Axial slice 33 of 61 of a contrast-enhanced abdominal CT in the arterial phase (slice 1 is the lowest), 140 kVp, kernel I41f; 3.00 mm slice thickness and 0.947 mm pixels.
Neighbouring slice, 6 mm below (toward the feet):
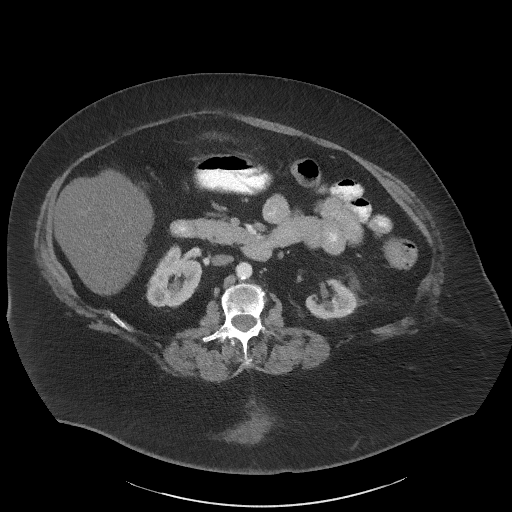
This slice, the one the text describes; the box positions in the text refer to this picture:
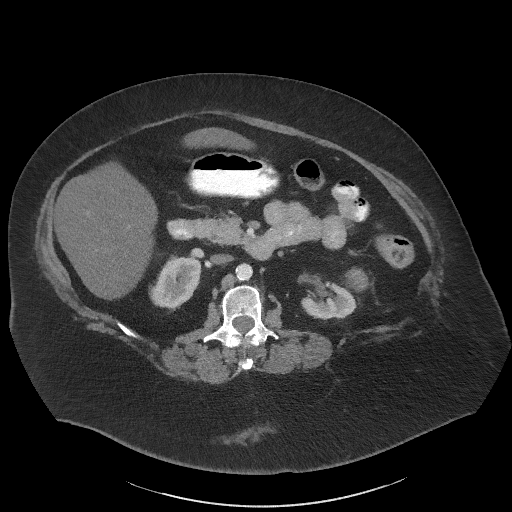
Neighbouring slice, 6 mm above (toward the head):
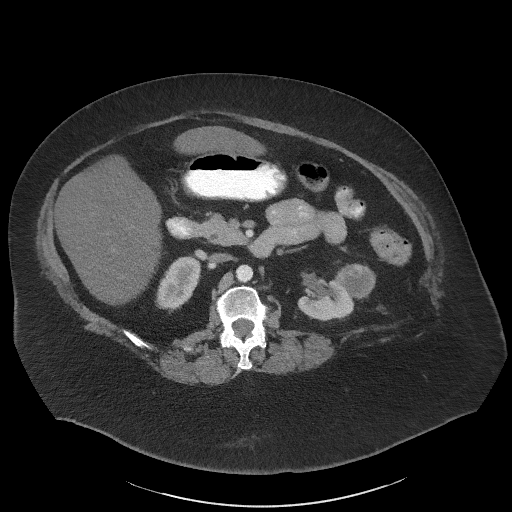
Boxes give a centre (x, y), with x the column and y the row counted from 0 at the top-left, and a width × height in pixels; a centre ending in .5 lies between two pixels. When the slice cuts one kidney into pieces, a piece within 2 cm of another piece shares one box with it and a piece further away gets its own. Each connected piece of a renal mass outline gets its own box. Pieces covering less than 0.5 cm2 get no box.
Boxed on this slice (two kidney boxes and one renal mass box), listed by box centre from the image's left to its right: (1) Right kidney, box centre (174.5, 282.5), 54 × 54 pixels (outlined area 1,995 px, about 17.9 cm2). (2) Left kidney in a box with centre (328.5, 299.5), 56 × 40 pixels (outlined area 1,569 px, about 14.1 cm2). (3) Box centre (356, 280), 25 × 25 pixels: left renal mass (outlined area 478 px, about 4.3 cm2). This slice lies near the end of the left renal mass toward the feet; the slices 6 mm below and 6 mm above it are shown too, and the boxes mark positions on this slice only.